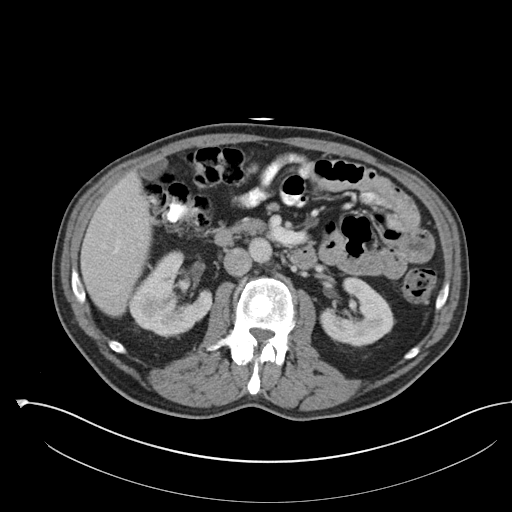
Axial slice 65 of 142 of a contrast-enhanced abdominal CT (slice 1 is the lowest), 100 kVp, kernel I30f; 5.00 mm slice thickness and 0.855 mm pixels.
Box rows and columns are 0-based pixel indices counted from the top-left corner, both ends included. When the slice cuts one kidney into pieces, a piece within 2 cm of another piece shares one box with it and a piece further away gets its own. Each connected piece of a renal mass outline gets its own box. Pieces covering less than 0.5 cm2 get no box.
Four boxes on this slice (two kidney boxes and two renal mass boxes), listed by box centre from the image's left to its right. (1) Right renal mass, box rows 281–332, columns 135–178 (outlined area 1,779 px, about 13.0 cm2). (2) Right kidney at rows 250–336, columns 128–212 (outlined area 2,810 px, about 20.6 cm2). (3) Right renal mass, box rows 278–290, columns 176–189 (outlined area 135 px, about 1.0 cm2). (4) Left kidney at rows 276–347, columns 319–395 (outlined area 3,536 px, about 25.9 cm2).